One axial slice (221 of 314, counting up from the lowest) of a contrast-enhanced abdominal CT acquired with 130 kVp, kernel B31s; each pixel is 0.934 mm and the slice is 2.50 mm thick.
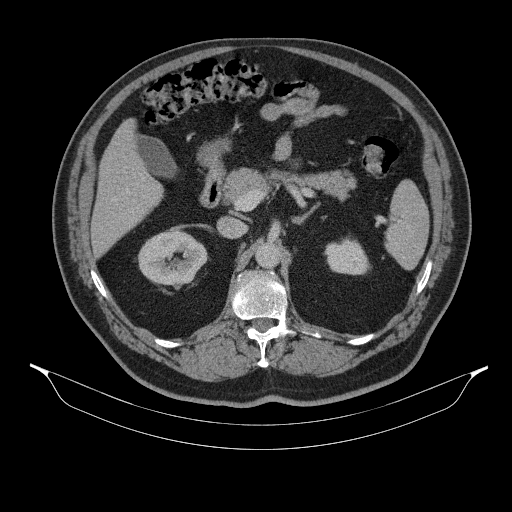
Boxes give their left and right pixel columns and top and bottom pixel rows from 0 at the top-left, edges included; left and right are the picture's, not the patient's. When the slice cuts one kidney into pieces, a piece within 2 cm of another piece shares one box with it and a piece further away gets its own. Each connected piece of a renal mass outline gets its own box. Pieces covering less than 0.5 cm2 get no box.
Boxed on this slice (two kidney boxes), listed by box centre from the image's left to its right: (1) Right kidney in the box with left 137, top 230, right 207, bottom 289 (outlined area 3,004 px, about 26.2 cm2). (2) Left kidney in the box with left 324, top 237, right 371, bottom 275 (outlined area 1,330 px, about 11.6 cm2). This slice carries no renal mass outline.